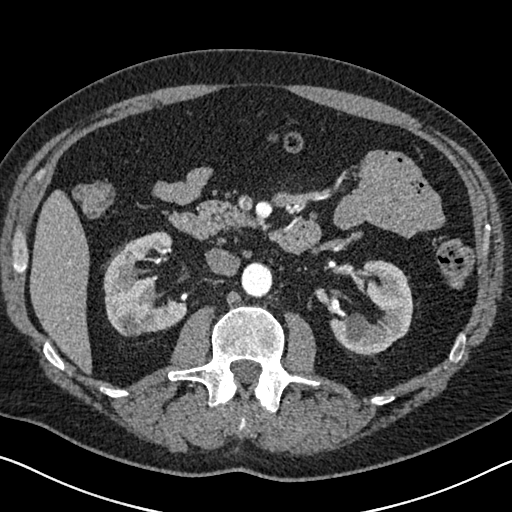
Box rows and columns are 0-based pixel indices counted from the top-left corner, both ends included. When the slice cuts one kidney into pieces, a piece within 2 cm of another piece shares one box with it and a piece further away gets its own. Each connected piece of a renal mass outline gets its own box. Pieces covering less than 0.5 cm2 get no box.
Slice 391/626 of a contrast-enhanced abdominal CT in the arterial phase, counting up from the lowest; pixel size 0.703 mm, slice thickness 1.00 mm. Boxed on this slice (two kidney boxes), listed by box centre from the image's left to its right: (1) Box rows 231–336, columns 103–187: right kidney (outlined area 5,580 px, about 27.6 cm2). (2) Left kidney, box rows 260–354, columns 329–413 (outlined area 4,857 px, about 24.0 cm2). No renal mass outline on this slice.
Tube voltage 120 kVp; convolution kernel I30f.